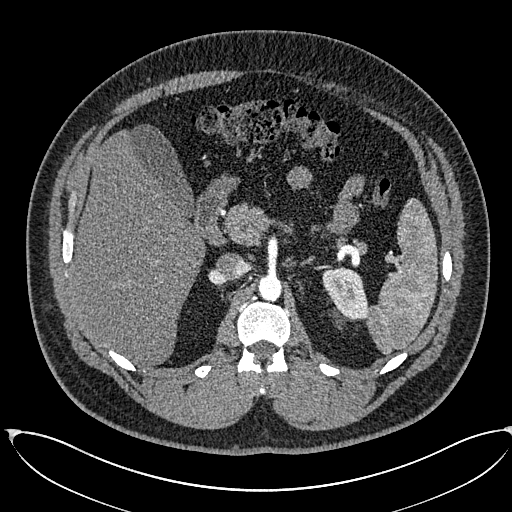
Axial slice 416 of 673 of a contrast-enhanced abdominal CT in the arterial phase (slice 1 is the lowest), 120 kVp, kernel I30f; 1.00 mm slice thickness and 0.855 mm pixels.
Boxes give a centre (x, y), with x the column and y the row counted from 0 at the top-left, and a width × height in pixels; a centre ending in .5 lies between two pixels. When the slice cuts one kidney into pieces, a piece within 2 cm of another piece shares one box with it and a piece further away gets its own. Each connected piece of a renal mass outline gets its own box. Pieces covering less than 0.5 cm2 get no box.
Left kidney, box centre (345, 292.5), 47 × 54 pixels (outlined area 1,775 px, about 13.0 cm2). No renal mass is outlined on this slice.